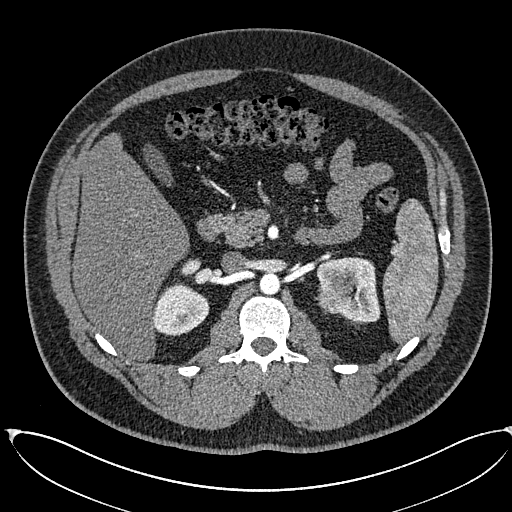
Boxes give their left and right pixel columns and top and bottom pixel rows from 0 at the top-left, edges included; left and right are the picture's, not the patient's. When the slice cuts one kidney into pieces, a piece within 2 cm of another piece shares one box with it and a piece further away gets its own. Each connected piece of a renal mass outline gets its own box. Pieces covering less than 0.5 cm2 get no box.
Slice 390/673 of a contrast-enhanced abdominal CT in the arterial phase, counting up from the lowest; pixel size 0.855 mm, slice thickness 1.00 mm. Two kidney boxes and one renal mass box on this slice; by box centre, from the image's left to its right: (1) Right kidney in the box with left 152, top 259, right 209, bottom 336 (outlined area 2,514 px, about 18.4 cm2). (2) Box with left 315, top 282, right 354, bottom 314: left renal mass (outlined area 990 px, about 7.2 cm2). (3) Box with left 316, top 257, right 380, bottom 323: left kidney (outlined area 2,522 px, about 18.5 cm2).
Scan settings: 120 kVp, I30f reconstruction kernel.